Arterial-phase contrast-enhanced abdominal CT, axial slice 436 of 626 (counted from the lowest slice); tube voltage 120 kVp, convolution kernel I30f; slices 1.00 mm thick, 0.703 mm per pixel.
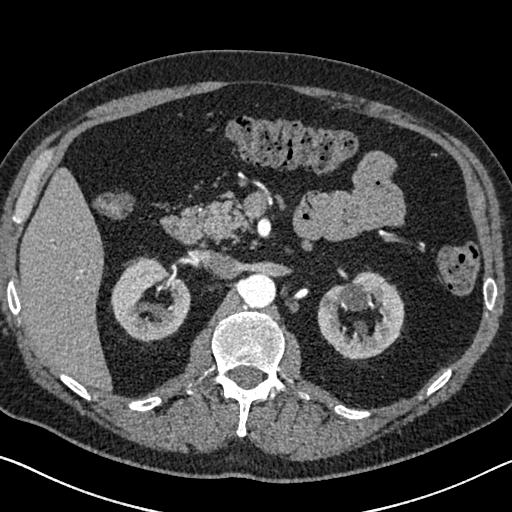
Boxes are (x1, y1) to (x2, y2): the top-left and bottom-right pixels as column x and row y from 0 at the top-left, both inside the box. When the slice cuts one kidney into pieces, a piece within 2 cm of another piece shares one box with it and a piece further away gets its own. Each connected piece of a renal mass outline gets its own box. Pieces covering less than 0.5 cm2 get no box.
Boxed on this slice (two kidney boxes), listed by box centre from the image's left to its right: (1) Box (111, 257) to (190, 343): right kidney (outlined area 4,657 px, about 23.0 cm2). (2) Box (317, 270) to (404, 359): left kidney (outlined area 5,147 px, about 25.4 cm2). This slice carries no renal mass outline.